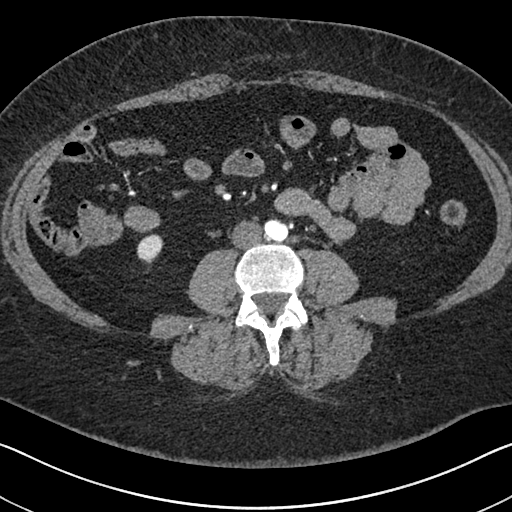
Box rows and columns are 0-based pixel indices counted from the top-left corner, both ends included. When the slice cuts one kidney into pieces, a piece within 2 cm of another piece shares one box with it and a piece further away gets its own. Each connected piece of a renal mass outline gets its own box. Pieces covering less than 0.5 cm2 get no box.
Slice 274/591 of a contrast-enhanced abdominal CT in the arterial phase, counting up from the lowest; pixel size 0.703 mm, slice thickness 1.00 mm. Box rows 234–263, columns 137–163: right kidney (outlined area 585 px, about 2.9 cm2). No renal mass is outlined on this slice.
Acquired at 140 kVp and reconstructed with the I30f kernel.